Contrast-enhanced abdominal CT, axial slice 59 of 103 (counted from the lowest slice); tube voltage 120 kVp, convolution kernel STANDARD; slices 2.50 mm thick, 0.736 mm per pixel.
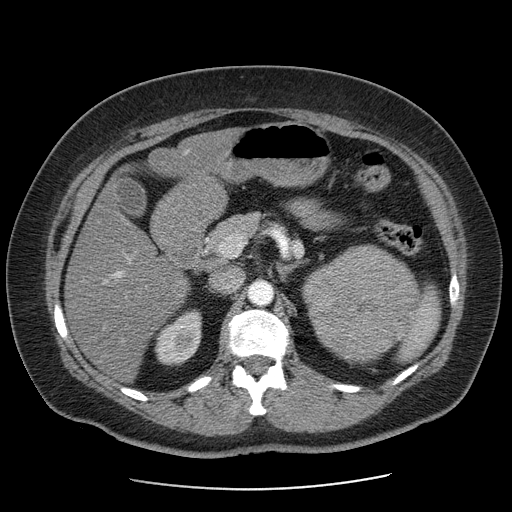
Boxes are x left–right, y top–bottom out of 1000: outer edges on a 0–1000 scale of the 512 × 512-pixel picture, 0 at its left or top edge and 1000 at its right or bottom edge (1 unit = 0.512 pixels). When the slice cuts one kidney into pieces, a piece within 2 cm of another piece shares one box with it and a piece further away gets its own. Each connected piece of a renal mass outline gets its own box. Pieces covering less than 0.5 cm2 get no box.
One kidney box and one renal mass box on this slice; by box centre, from the image's left to its right: (1) Right kidney, box x 303–395, y 604–713 out of 1000 (outlined area 1,918 px, about 10.4 cm2). (2) Box x 588–816, y 477–715 out of 1000: left renal mass (outlined area 10,209 px, about 55.4 cm2); here it is more than 1 cm from any kidney outline, though on another slice the same outlined renal mass lies within 1 cm of the kidney.